One axial slice (725 of 987, counting up from the lowest) of an arterial-phase abdominal CT acquired with 120 kVp, kernel I26f; each pixel is 0.977 mm and the slice is 1.00 mm thick.
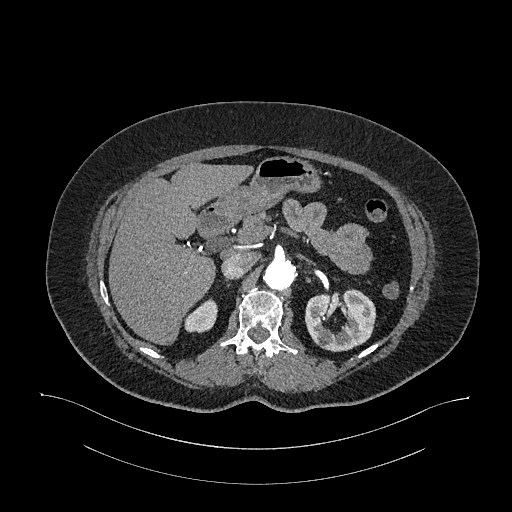
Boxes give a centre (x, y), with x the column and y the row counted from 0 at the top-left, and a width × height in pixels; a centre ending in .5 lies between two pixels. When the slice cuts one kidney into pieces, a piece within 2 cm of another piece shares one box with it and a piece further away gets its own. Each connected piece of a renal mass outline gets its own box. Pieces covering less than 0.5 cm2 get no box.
Boxed on this slice (two kidney boxes), listed by box centre from the image's left to its right: (1) Right kidney in a box with centre (200.5, 315.5), 34 × 36 pixels (outlined area 808 px, about 7.7 cm2). (2) Left kidney, box centre (340.5, 319.5), 72 × 64 pixels (outlined area 3,278 px, about 31.3 cm2). No renal mass outline on this slice.